Abdominal CT with intravenous contrast, arterial phase, axial plane, 120 kVp, kernel I30f. Slice 129/261 from the bottom of the scan; thickness 2.00 mm; pixel size 0.939 mm.
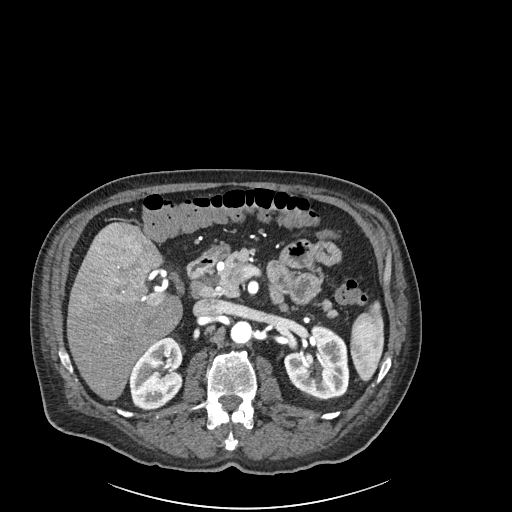
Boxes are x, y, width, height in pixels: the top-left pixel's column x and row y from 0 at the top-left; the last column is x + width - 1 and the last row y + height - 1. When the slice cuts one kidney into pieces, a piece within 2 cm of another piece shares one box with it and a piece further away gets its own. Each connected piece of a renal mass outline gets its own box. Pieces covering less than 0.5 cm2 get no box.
Two kidney boxes on this slice; by box centre, from the image's left to its right: (1) Right kidney, box x 128, y 336, width 56, height 74 (outlined area 2,991 px, about 26.4 cm2). (2) Box x 284, y 325, width 66, height 75: left kidney (outlined area 3,602 px, about 31.8 cm2). This slice carries no renal mass outline.